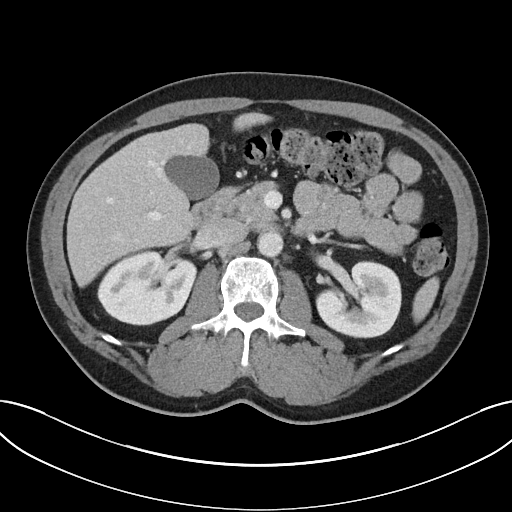
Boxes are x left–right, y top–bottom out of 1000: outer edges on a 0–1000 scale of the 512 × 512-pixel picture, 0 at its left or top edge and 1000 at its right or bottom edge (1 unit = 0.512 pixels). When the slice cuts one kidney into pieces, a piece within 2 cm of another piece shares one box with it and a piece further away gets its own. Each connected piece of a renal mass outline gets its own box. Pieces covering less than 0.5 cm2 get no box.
Arterial-phase contrast-enhanced abdominal CT, axial slice 18 of 32 (counted from the lowest slice); 5.00 mm thick, 0.779 mm per pixel. Boxed on this slice (two kidney boxes), listed by box centre from the image's left to its right: (1) Box x 189–387, y 486–637 out of 1000: right kidney (outlined area 5,698 px, about 34.6 cm2). (2) Box x 615–785, y 508–662 out of 1000: left kidney (outlined area 5,079 px, about 30.8 cm2). No renal mass outline on this slice.
Acquired at 100 kVp and reconstructed with the I40f kernel.